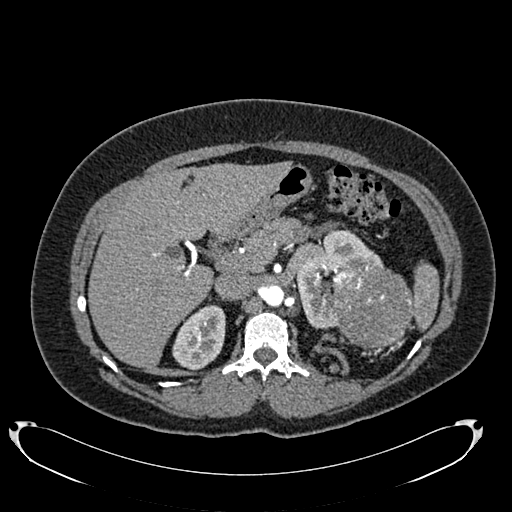
Abdominal CT with intravenous contrast, arterial phase, axial plane, 120 kVp, kernel B20f. Slice 501/634 from the bottom of the scan; thickness 1.00 mm; pixel size 0.838 mm.
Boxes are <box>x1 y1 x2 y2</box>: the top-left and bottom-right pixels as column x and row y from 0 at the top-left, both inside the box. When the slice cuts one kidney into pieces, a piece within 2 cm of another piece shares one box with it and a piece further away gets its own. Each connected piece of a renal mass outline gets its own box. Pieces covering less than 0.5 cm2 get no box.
Boxed on this slice (two kidney boxes and one renal mass box), listed by box centre from the image's left to its right: (1) Right kidney at <box>172 305 225 371</box> (outlined area 2,585 px, about 18.1 cm2). (2) Left kidney at <box>295 229 383 328</box> (outlined area 3,877 px, about 27.2 cm2). (3) At <box>331 265 412 350</box>: left renal mass (outlined area 5,590 px, about 39.2 cm2).